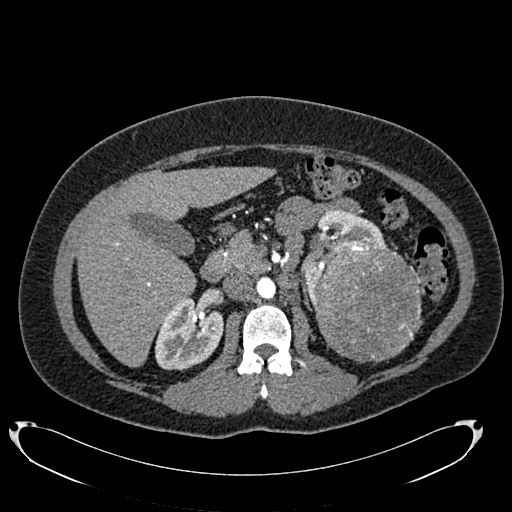
Axial slice 450 of 634 of a contrast-enhanced abdominal CT in the arterial phase (slice 1 is the lowest), 120 kVp, kernel B20f; 1.00 mm slice thickness and 0.838 mm pixels.
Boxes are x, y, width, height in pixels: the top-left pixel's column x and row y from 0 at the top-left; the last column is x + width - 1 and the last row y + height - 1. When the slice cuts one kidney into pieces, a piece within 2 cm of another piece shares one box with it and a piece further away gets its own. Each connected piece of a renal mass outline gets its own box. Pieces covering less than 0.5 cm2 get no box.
Two kidney boxes and one renal mass box on this slice; by box centre, from the image's left to its right: (1) Box x 155, y 296, width 69, height 75: right kidney (outlined area 3,753 px, about 26.3 cm2). (2) Left kidney at x 301, y 210, width 86, height 96 (outlined area 2,804 px, about 19.7 cm2). (3) Left renal mass at x 313, y 243, width 110, height 120 (outlined area 10,539 px, about 74.0 cm2).